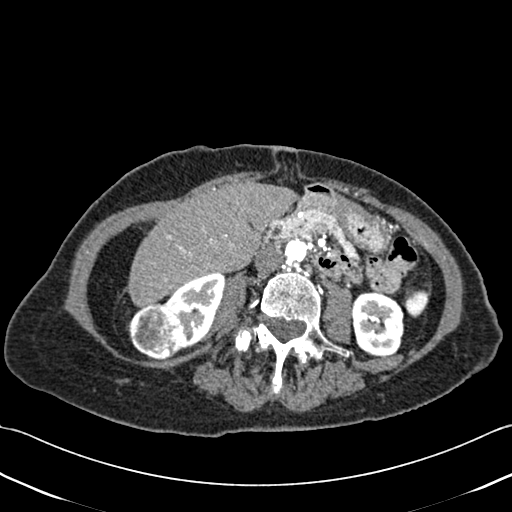
Abdominal CT with intravenous contrast, axial plane, 120 kVp, kernel B30f. Slice 198/433 from the bottom of the scan; thickness 1.00 mm; pixel size 0.672 mm.
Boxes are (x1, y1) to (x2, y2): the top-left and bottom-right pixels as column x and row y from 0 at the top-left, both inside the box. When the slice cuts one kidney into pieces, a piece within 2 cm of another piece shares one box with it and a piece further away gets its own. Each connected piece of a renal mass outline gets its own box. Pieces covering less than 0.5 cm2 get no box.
Boxed on this slice (two kidney boxes and one renal mass box), listed by box centre from the image's left to its right: (1) Right renal mass, box (127, 302) to (183, 360) (outlined area 2,421 px, about 10.9 cm2). (2) Right kidney from (163, 272) to (225, 349) (outlined area 2,733 px, about 12.3 cm2). (3) Left kidney, box (352, 292) to (404, 356) (outlined area 2,842 px, about 12.8 cm2).